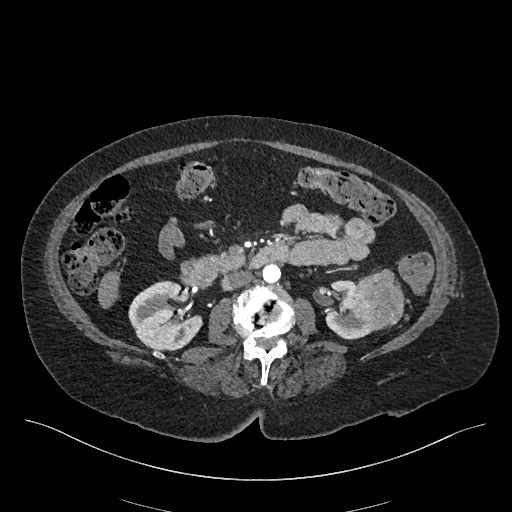
Arterial-phase contrast-enhanced abdominal CT, axial slice 231 of 548 (counted from the lowest slice); tube voltage 120 kVp, convolution kernel I26f; slices 1.00 mm thick, 0.852 mm per pixel.
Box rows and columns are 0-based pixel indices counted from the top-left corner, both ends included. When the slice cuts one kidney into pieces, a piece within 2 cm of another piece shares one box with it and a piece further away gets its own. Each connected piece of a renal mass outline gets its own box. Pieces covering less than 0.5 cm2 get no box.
Two kidney boxes and one renal mass box on this slice; by box centre, from the image's left to its right: (1) Right kidney, box rows 280–351, columns 128–202 (outlined area 3,764 px, about 27.3 cm2). (2) Left kidney, box rows 280–339, columns 325–383 (outlined area 1,770 px, about 12.8 cm2). (3) Left renal mass at rows 269–327, columns 351–403 (outlined area 2,386 px, about 17.3 cm2).